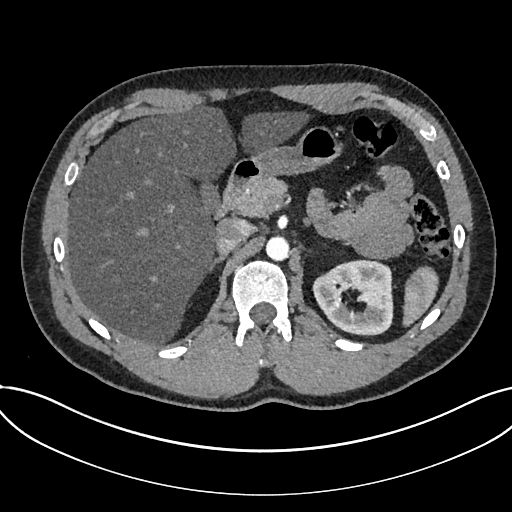
Axial slice 502 of 735 of a contrast-enhanced abdominal CT in the arterial phase (slice 1 is the lowest), 120 kVp, kernel I30f; 1.00 mm slice thickness and 0.789 mm pixels.
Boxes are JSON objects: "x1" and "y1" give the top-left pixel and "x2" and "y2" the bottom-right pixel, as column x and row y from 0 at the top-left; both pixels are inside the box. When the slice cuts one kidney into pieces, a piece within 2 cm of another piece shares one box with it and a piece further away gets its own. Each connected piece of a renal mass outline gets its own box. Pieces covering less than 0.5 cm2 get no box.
Kidney, box {"x1": 312, "y1": 259, "x2": 393, "y2": 336} (outlined area 4,694 px, about 29.2 cm2). No renal mass outline on this slice.